Contrast-enhanced abdominal CT, axial slice 318 of 433 (counted from the lowest slice); tube voltage 120 kVp, convolution kernel B30f; slices 1.00 mm thick, 0.672 mm per pixel.
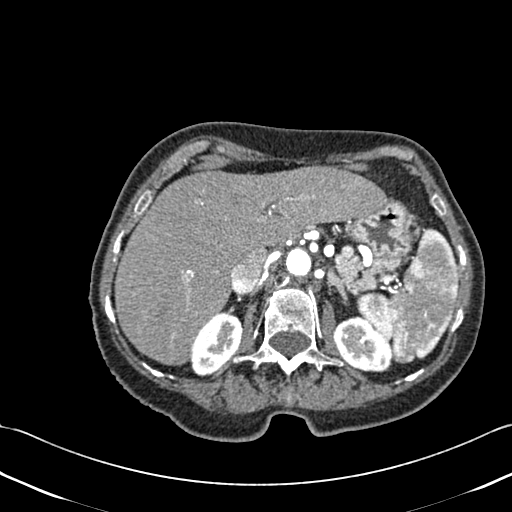
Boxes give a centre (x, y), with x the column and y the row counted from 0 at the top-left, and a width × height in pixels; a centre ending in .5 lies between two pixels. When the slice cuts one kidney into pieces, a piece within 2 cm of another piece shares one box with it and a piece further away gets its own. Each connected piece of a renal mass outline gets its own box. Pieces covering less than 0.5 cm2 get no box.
Two boxes on this slice (two kidney boxes), listed by box centre from the image's left to its right. (1) Box centre (216.5, 344), 52 × 65 pixels: right kidney (outlined area 2,260 px, about 10.2 cm2). (2) Left kidney, box centre (363, 344), 61 × 57 pixels (outlined area 2,423 px, about 10.9 cm2). No renal mass is outlined on this slice.